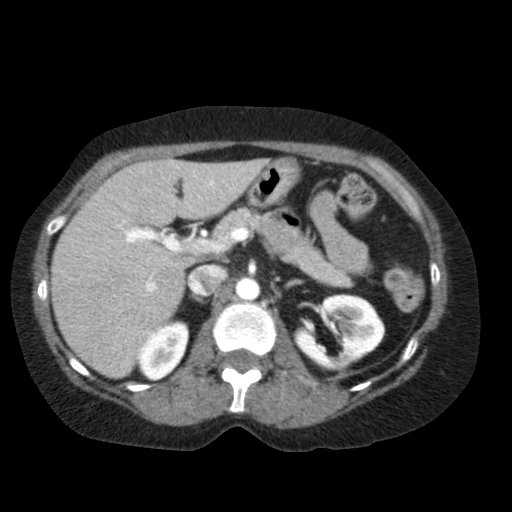
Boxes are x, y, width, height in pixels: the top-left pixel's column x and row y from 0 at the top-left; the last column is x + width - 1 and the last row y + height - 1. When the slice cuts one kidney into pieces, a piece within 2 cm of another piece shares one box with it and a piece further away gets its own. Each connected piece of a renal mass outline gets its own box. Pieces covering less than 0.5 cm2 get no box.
Arterial-phase contrast-enhanced abdominal CT, axial slice 63 of 79 (counted from the lowest slice); 5.00 mm thick, 0.686 mm per pixel. Two boxes on this slice (two kidney boxes), listed by box centre from the image's left to its right. (1) Right kidney at x 137, y 320, width 53, height 62 (outlined area 2,163 px, about 10.2 cm2). (2) Left kidney, box x 293, y 294, width 93, height 78 (outlined area 4,554 px, about 21.4 cm2). This slice carries no renal mass outline.
Tube voltage 120 kVp; convolution kernel FC11.